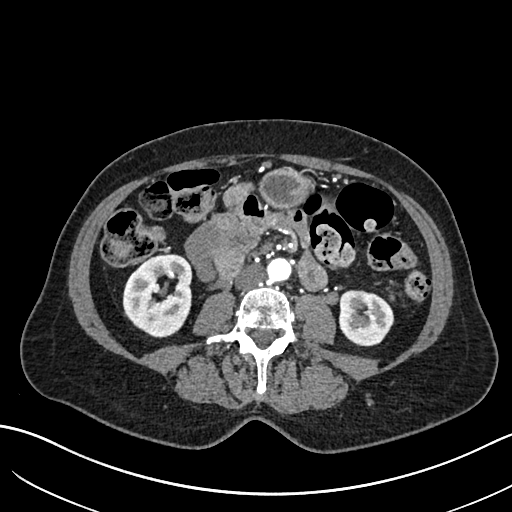
Axial slice 308 of 683 of a contrast-enhanced abdominal CT in the arterial phase (slice 1 is the lowest), 120 kVp, kernel I30f; 1.00 mm slice thickness and 0.738 mm pixels.
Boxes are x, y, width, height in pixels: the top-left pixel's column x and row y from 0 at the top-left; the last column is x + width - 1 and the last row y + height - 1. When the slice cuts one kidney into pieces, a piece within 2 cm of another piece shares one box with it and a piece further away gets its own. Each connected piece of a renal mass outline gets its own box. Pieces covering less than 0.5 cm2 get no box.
Boxed on this slice (two kidney boxes), listed by box centre from the image's left to its right: (1) Right kidney at x 122, y 254, width 71, height 84 (outlined area 4,463 px, about 24.3 cm2). (2) Left kidney at x 339, y 290, width 56, height 57 (outlined area 2,511 px, about 13.7 cm2). This slice carries no renal mass outline.